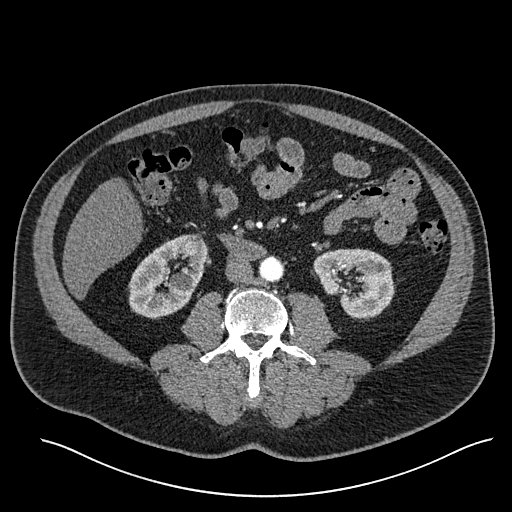
Arterial-phase contrast-enhanced abdominal CT, axial slice 259 of 527 (counted from the lowest slice); tube voltage 120 kVp, convolution kernel I30f; slices 1.00 mm thick, 0.859 mm per pixel.
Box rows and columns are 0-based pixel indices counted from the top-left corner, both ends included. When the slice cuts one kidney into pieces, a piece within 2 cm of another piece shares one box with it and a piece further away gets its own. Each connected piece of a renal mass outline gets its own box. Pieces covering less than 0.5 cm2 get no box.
Two boxes on this slice (two kidney boxes), listed by box centre from the image's left to its right. (1) Box rows 234–317, columns 128–207: right kidney (outlined area 4,459 px, about 32.9 cm2). (2) Left kidney, box rows 248–317, columns 313–393 (outlined area 4,106 px, about 30.3 cm2). This slice carries no renal mass outline.